One axial slice (51 of 105, counting up from the lowest) of a contrast-enhanced abdominal CT acquired with 120 kVp, kernel B; each pixel is 0.977 mm and the slice is 3.00 mm thick.
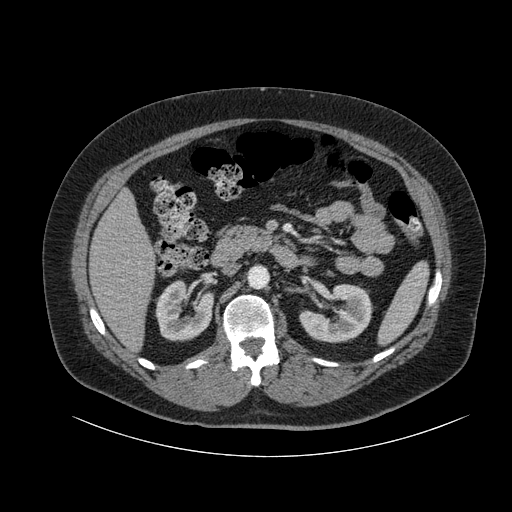
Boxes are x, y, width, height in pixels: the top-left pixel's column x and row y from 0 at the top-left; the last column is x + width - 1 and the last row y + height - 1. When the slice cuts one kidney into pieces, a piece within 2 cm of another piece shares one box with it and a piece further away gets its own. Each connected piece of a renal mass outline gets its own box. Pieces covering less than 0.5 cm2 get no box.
Two kidney boxes on this slice; by box centre, from the image's left to its right: (1) Box x 155, y 279, width 60, height 63: right kidney (outlined area 2,667 px, about 25.4 cm2). (2) Left kidney at x 299, y 284, width 74, height 59 (outlined area 3,028 px, about 28.9 cm2). This slice carries no renal mass outline.